One axial slice (373 of 719, counting up from the lowest) of an arterial-phase abdominal CT acquired with 120 kVp, kernel B20f; each pixel is 0.766 mm and the slice is 1.00 mm thick.
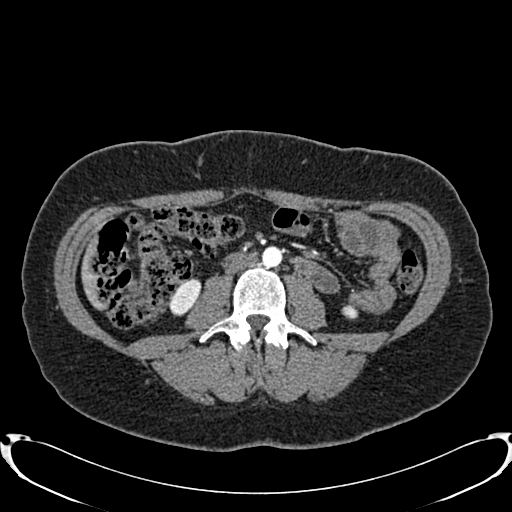
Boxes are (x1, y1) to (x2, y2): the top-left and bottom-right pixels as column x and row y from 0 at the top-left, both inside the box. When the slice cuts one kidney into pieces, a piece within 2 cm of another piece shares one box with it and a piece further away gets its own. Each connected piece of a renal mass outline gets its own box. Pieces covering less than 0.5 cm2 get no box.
Boxed on this slice (two kidney boxes), listed by box centre from the image's left to its right: (1) Right kidney, box (168, 278) to (201, 315) (outlined area 806 px, about 4.7 cm2). (2) Box (341, 304) to (358, 319): left kidney (outlined area 195 px, about 1.1 cm2). No renal mass outline on this slice.